Arterial-phase contrast-enhanced abdominal CT, axial slice 78 of 470 (counted from the lowest slice); tube voltage 120 kVp, convolution kernel I26f; slices 1.00 mm thick, 0.938 mm per pixel.
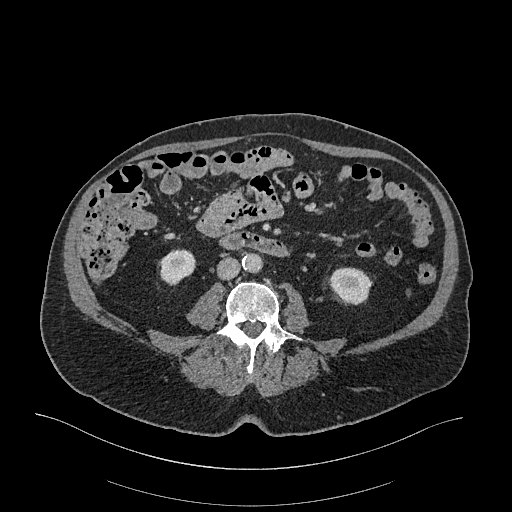
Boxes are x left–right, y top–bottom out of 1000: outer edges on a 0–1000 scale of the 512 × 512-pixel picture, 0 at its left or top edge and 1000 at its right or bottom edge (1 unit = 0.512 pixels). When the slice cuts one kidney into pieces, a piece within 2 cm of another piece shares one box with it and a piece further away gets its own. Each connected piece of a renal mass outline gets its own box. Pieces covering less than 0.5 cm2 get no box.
Boxed on this slice (two kidney boxes), listed by box centre from the image's left to its right: (1) Box x 311–383, y 484–559 out of 1000: right kidney (outlined area 1,012 px, about 8.9 cm2). (2) Box x 641–729, y 521–596 out of 1000: left kidney (outlined area 1,222 px, about 10.7 cm2). No renal mass outline on this slice.